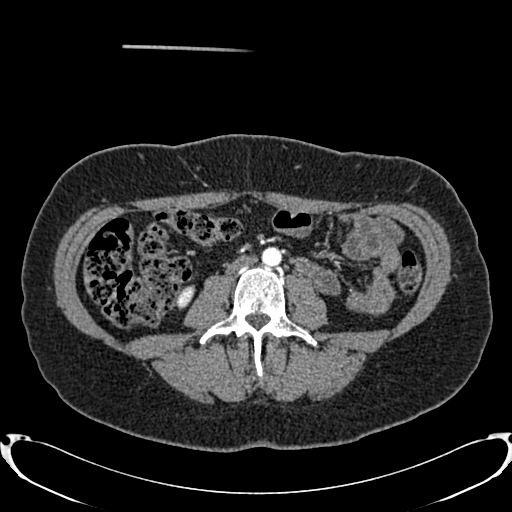
Axial slice 366 of 719 of a contrast-enhanced abdominal CT in the arterial phase (slice 1 is the lowest), 120 kVp, kernel B20f; 1.00 mm slice thickness and 0.766 mm pixels.
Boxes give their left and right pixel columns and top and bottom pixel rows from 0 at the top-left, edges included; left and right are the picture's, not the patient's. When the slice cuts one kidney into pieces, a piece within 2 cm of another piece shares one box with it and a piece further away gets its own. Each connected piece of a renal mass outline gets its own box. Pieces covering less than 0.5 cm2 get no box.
Box with left 179, top 288, right 193, bottom 306: right kidney (outlined area 182 px, about 1.1 cm2). No renal mass outline on this slice.